One axial slice (129 of 326, counting up from the lowest) of an arterial-phase abdominal CT acquired with 120 kVp, kernel B31f; each pixel is 0.963 mm and the slice is 2.00 mm thick.
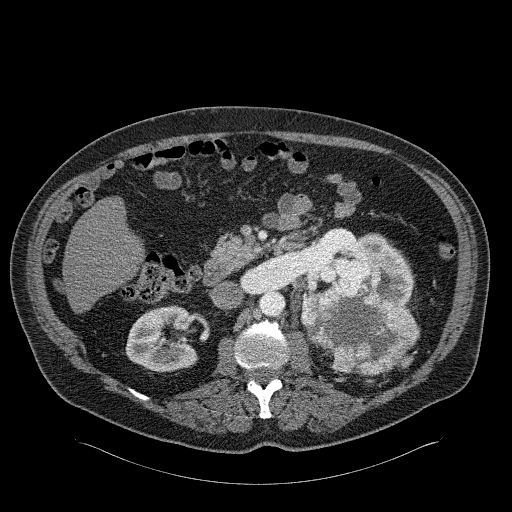
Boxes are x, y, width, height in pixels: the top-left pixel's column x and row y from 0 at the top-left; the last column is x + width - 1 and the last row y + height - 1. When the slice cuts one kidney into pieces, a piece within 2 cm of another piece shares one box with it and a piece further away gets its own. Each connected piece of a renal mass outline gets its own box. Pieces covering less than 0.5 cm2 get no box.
Boxed on this slice (two kidney boxes and one renal mass box), listed by box centre from the image's left to its right: (1) Right kidney at x 125, y 305, width 74, height 68 (outlined area 3,663 px, about 34.0 cm2). (2) Box x 304, y 233, width 110, height 72: left kidney (outlined area 3,145 px, about 29.2 cm2). (3) Left renal mass at x 300, y 260, width 120, height 115 (outlined area 8,636 px, about 80.1 cm2).